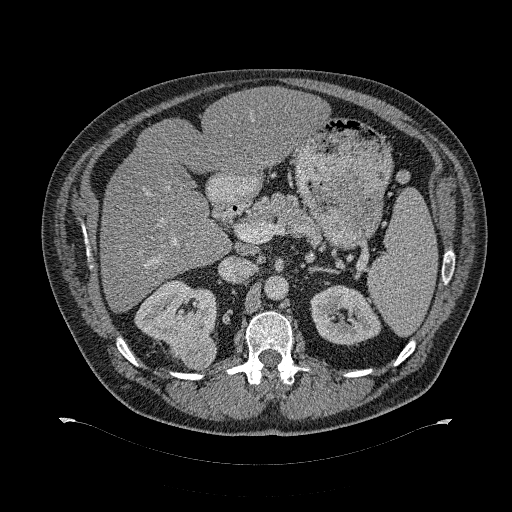
Axial slice 203 of 274 of a contrast-enhanced abdominal CT (slice 1 is the lowest), 120 kVp, kernel B31f; 2.00 mm slice thickness and 0.977 mm pixels.
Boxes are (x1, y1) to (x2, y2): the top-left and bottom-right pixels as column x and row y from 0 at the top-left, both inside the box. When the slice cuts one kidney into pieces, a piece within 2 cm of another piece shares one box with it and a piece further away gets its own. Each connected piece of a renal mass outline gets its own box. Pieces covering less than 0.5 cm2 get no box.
Boxed on this slice (two kidney boxes and one renal mass box), listed by box centre from the image's left to its right: (1) Right kidney from (134, 280) to (218, 346) (outlined area 3,535 px, about 33.7 cm2). (2) Right renal mass from (168, 325) to (217, 369) (outlined area 1,605 px, about 15.3 cm2). (3) Box (309, 285) to (381, 346): left kidney (outlined area 3,207 px, about 30.6 cm2).